Axial slice 565 of 834 of a contrast-enhanced abdominal CT (slice 1 is the lowest), 140 kVp, kernel I30f; 1.00 mm slice thickness and 0.977 mm pixels.
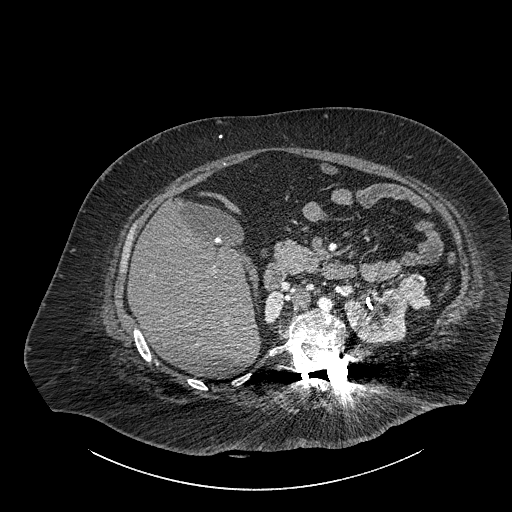
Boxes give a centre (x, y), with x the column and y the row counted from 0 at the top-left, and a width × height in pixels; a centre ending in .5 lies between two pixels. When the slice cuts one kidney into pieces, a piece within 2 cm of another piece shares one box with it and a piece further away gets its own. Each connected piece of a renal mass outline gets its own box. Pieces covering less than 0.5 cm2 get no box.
Three boxes on this slice (two kidney boxes and one renal mass box), listed by box centre from the image's left to its right. (1) Right part of the midline-crossing kidney, box centre (274, 306.5), 21 × 34 pixels (outlined area 518 px, about 4.9 cm2). (2) Left part of the midline-crossing kidney in a box with centre (376, 315), 65 × 55 pixels (outlined area 2,652 px, about 25.3 cm2). (3) Box centre (413, 291), 35 × 37 pixels: renal mass (outlined area 881 px, about 8.4 cm2).